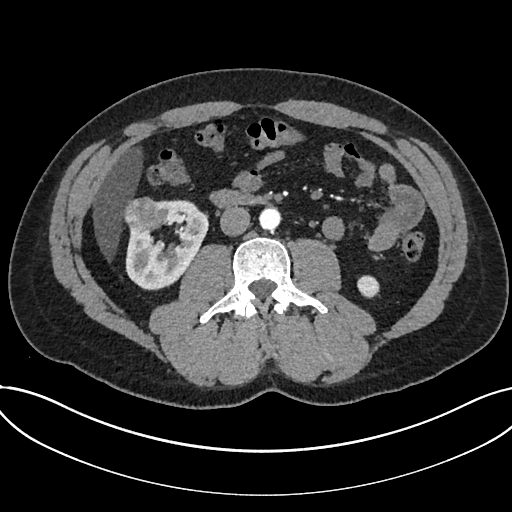
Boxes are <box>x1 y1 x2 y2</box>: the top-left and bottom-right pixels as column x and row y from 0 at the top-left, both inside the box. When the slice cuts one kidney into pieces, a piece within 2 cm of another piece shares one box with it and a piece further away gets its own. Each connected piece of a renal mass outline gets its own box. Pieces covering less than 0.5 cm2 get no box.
This is axial slice 356 of 735 (slice 1 is the lowest) of an arterial-phase abdominal CT with contrast; each pixel is 0.789 mm and the slice is 1.00 mm thick. Two kidney boxes and one renal mass box on this slice; by box centre, from the image's left to its right: (1) Renal mass: <box>123 197 162 232</box> (outlined area 1,147 px, about 7.1 cm2). (2) Kidney at <box>125 199 208 290</box> (outlined area 4,629 px, about 28.8 cm2). (3) Kidney at <box>357 275 379 298</box> (outlined area 425 px, about 2.6 cm2).
Acquired at 120 kVp and reconstructed with the I30f kernel.